Axial slice 79 of 145 of a contrast-enhanced abdominal CT (slice 1 is the lowest), 120 kVp, kernel B41f; 5.00 mm slice thickness and 0.859 mm pixels.
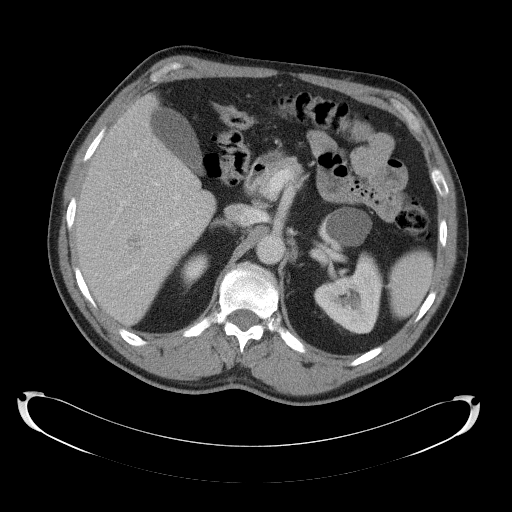
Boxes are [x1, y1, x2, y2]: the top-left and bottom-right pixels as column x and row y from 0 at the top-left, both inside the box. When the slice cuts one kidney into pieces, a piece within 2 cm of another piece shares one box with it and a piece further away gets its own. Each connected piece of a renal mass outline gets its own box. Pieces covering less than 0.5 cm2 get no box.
Two boxes on this slice (two kidney boxes), listed by box centre from the image's left to its right. (1) Right kidney at [180, 253, 208, 288] (outlined area 646 px, about 4.8 cm2). (2) Left kidney, box [314, 206, 384, 334] (outlined area 5,234 px, about 38.7 cm2). No renal mass is outlined on this slice.